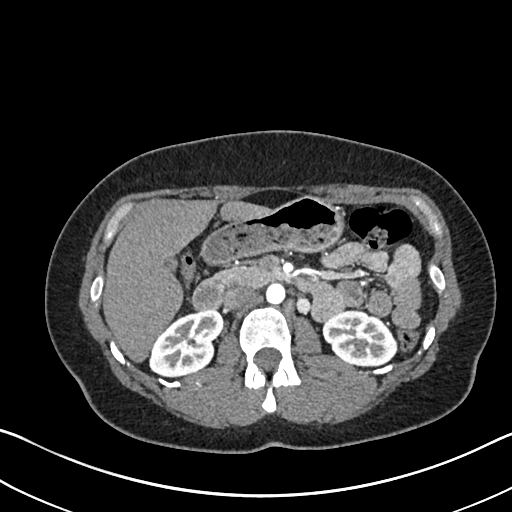
One axial slice (415 of 612, counting up from the lowest) of an arterial-phase abdominal CT acquired with 120 kVp, kernel I30f; each pixel is 0.703 mm and the slice is 1.00 mm thick.
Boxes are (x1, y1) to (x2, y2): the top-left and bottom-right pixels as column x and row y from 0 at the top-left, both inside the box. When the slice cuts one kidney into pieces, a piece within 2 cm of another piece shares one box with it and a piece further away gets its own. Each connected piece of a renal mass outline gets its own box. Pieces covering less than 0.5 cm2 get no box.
Boxed on this slice (two kidney boxes), listed by box centre from the image's left to its right: (1) Box (148, 309) to (223, 377): right kidney (outlined area 3,547 px, about 17.5 cm2). (2) Left kidney from (322, 309) to (397, 367) (outlined area 3,250 px, about 16.1 cm2). No renal mass is outlined on this slice.